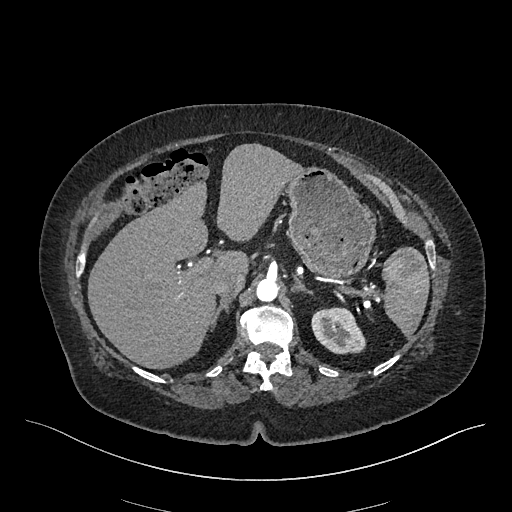
Abdominal CT with intravenous contrast, arterial phase, axial plane, 120 kVp, kernel I26f. Slice 341/548 from the bottom of the scan; thickness 1.00 mm; pixel size 0.852 mm.
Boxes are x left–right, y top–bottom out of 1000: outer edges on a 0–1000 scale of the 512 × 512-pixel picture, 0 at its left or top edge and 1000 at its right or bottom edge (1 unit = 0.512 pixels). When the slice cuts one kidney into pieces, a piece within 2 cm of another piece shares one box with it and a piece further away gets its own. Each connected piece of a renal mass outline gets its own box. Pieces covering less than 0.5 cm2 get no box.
Left kidney at x 607–717, y 600–693 out of 1000 (outlined area 1,969 px, about 14.3 cm2). No renal mass outline on this slice.